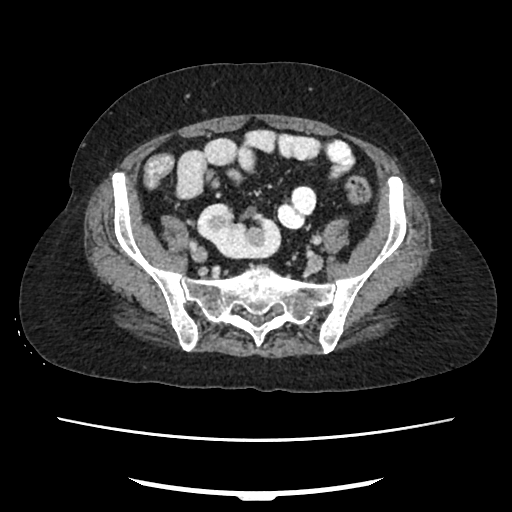
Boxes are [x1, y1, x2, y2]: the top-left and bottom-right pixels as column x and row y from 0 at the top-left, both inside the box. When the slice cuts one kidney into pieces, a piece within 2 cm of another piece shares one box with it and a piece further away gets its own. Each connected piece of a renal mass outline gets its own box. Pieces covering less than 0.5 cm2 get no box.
Arterial-phase contrast-enhanced abdominal CT, axial slice 72 of 207 (counted from the lowest slice); 2.00 mm thick, 0.741 mm per pixel. Box [196, 202, 281, 259]: right kidney (outlined area 3,420 px, about 18.8 cm2). No renal mass is outlined on this slice.
Acquired at 120 kVp and reconstructed with the FC18 kernel.